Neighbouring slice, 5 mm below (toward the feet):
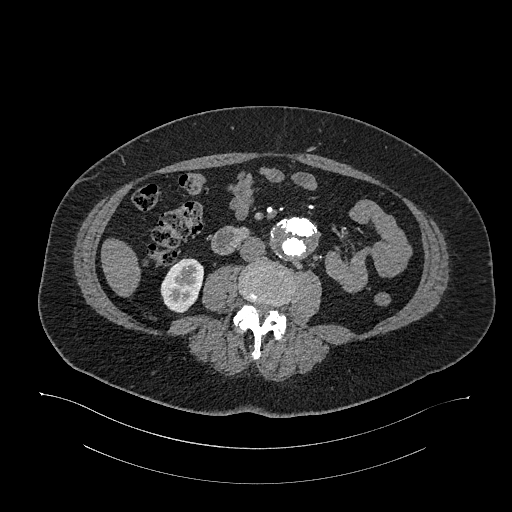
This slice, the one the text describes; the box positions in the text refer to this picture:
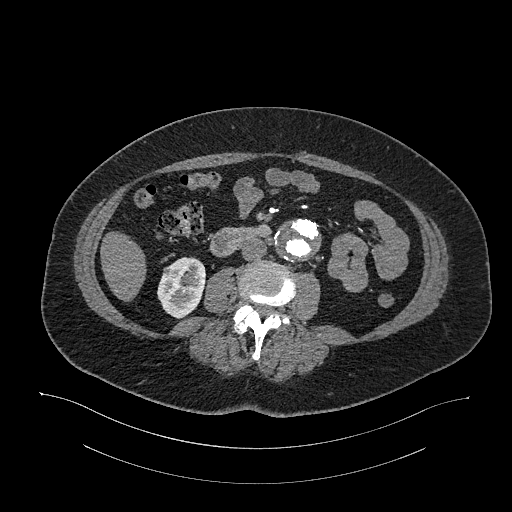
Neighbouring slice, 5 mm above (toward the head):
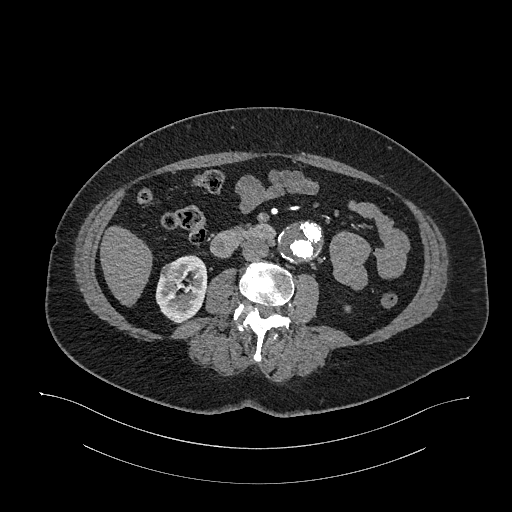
Axial slice 564 of 987 of a contrast-enhanced abdominal CT in the arterial phase (slice 1 is the lowest), 120 kVp, kernel I26f; 1.00 mm slice thickness and 0.977 mm pixels.
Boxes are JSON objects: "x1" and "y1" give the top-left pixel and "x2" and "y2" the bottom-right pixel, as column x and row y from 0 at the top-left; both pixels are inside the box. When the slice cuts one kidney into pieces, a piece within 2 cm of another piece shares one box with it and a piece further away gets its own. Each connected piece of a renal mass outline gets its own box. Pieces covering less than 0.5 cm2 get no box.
Boxed on this slice (one kidney box and one renal mass box), listed by box centre from the image's left to its right: (1) Right renal mass at {"x1": 162, "y1": 267, "x2": 171, "y2": 276} (outlined area 76 px, about 0.7 cm2). (2) Box {"x1": 157, "y1": 257, "x2": 205, "y2": 318}: right kidney (outlined area 2,200 px, about 21.0 cm2). This slice lies near the end of the right renal mass toward the feet; the slices 5 mm below and 5 mm above it are shown too, and the boxes mark positions on this slice only.